Axial slice 287 of 683 of a contrast-enhanced abdominal CT in the arterial phase (slice 1 is the lowest), 120 kVp, kernel I30f; 1.00 mm slice thickness and 0.738 mm pixels.
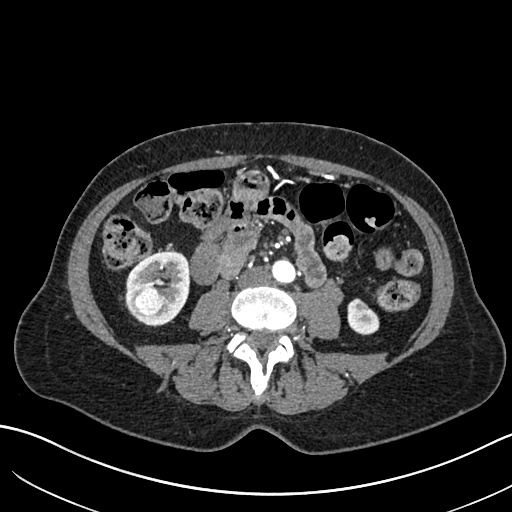
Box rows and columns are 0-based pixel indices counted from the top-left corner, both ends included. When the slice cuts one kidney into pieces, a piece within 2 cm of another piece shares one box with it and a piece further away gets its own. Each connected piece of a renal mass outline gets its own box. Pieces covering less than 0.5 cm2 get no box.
Three boxes on this slice (two kidney boxes and one renal mass box), listed by box centre from the image's left to its right. (1) Box rows 286–316, columns 131–166: right renal mass (outlined area 908 px, about 4.9 cm2). (2) Right kidney at rows 251–325, columns 125–189 (outlined area 3,014 px, about 16.4 cm2). (3) Box rows 298–335, columns 347–379: left kidney (outlined area 907 px, about 4.9 cm2).